One axial slice (82 of 227, counting up from the lowest) of an arterial-phase abdominal CT acquired with 120 kVp, kernel I31f; each pixel is 0.816 mm and the slice is 3.00 mm thick.
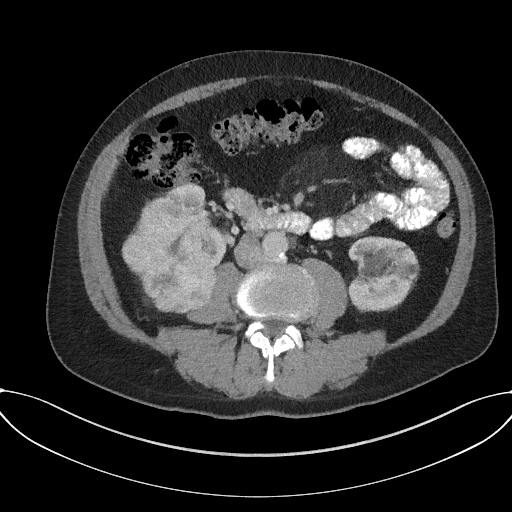
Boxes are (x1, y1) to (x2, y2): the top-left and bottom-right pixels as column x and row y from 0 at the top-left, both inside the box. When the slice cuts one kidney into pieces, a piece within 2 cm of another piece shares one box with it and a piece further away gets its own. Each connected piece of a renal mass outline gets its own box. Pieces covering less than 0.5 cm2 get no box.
Boxed on this slice (two kidney boxes and one renal mass box), listed by box centre from the image's left to its right: (1) Box (121, 196) to (217, 313): right renal mass (outlined area 8,223 px, about 54.8 cm2). (2) Right kidney, box (165, 183) to (226, 266) (outlined area 1,372 px, about 9.1 cm2). (3) Left kidney from (347, 237) to (419, 312) (outlined area 4,388 px, about 29.2 cm2).